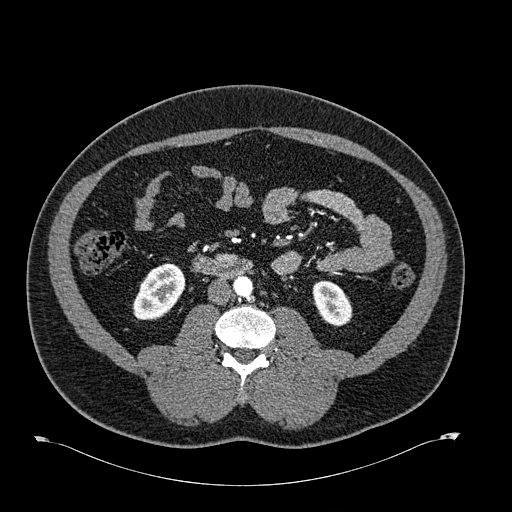
Abdominal CT with intravenous contrast, arterial phase, axial plane, 120 kVp, kernel B30f. Slice 288/723 from the bottom of the scan; thickness 1.00 mm; pixel size 0.895 mm.
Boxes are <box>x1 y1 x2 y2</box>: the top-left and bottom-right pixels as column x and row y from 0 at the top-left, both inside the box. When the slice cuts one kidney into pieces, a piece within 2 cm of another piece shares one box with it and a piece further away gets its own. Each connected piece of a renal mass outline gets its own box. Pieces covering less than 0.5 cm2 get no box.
Two kidney boxes on this slice; by box centre, from the image's left to its right: (1) Right kidney at <box>132 263 185 320</box> (outlined area 2,144 px, about 17.2 cm2). (2) At <box>312 280 352 326</box>: left kidney (outlined area 1,379 px, about 11.0 cm2). This slice carries no renal mass outline.